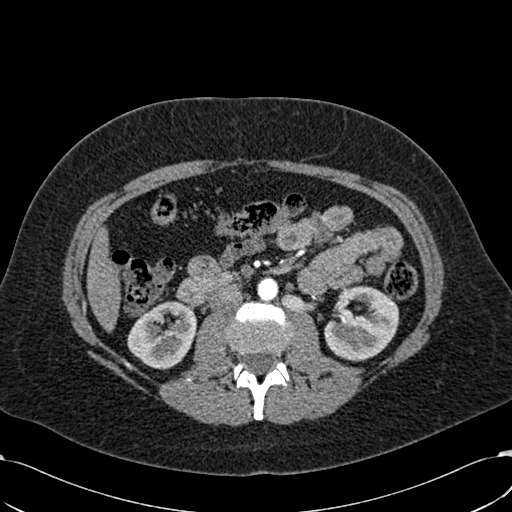
One axial slice (324 of 532, counting up from the lowest) of an arterial-phase abdominal CT acquired with 120 kVp, kernel B30f; each pixel is 0.713 mm and the slice is 1.00 mm thick.
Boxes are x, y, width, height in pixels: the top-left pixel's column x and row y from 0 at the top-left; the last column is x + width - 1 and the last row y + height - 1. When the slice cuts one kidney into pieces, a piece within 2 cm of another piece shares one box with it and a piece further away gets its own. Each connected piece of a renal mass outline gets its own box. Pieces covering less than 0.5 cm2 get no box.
Two boxes on this slice (two kidney boxes), listed by box centre from the image's left to its right. (1) Right kidney, box x 127, y 301, width 70, height 69 (outlined area 3,472 px, about 17.6 cm2). (2) Box x 324, y 286, width 76, height 76: left kidney (outlined area 4,146 px, about 21.1 cm2). No renal mass outline on this slice.